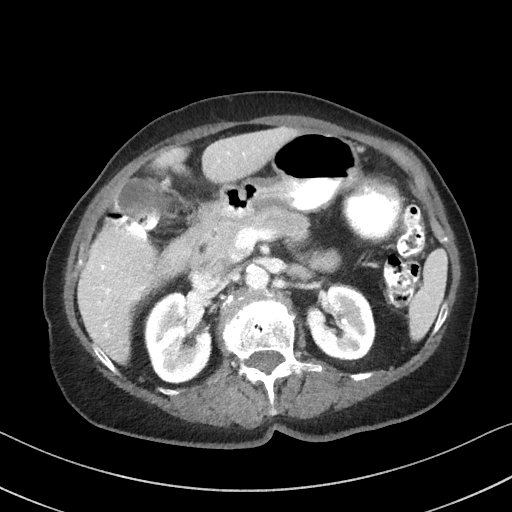
One axial slice (61 of 92, counting up from the lowest) of a contrast-enhanced abdominal CT acquired with 100 kVp, kernel I41f; each pixel is 0.684 mm and the slice is 3.00 mm thick.
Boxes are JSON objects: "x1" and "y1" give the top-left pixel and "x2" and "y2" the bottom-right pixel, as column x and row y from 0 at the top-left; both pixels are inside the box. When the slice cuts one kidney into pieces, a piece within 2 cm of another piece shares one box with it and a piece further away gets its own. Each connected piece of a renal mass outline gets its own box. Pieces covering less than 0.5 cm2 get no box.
Two boxes on this slice (two kidney boxes), listed by box centre from the image's left to its right. (1) Right kidney at {"x1": 143, "y1": 293, "x2": 211, "y2": 384} (outlined area 4,688 px, about 21.9 cm2). (2) Box {"x1": 306, "y1": 284, "x2": 375, "y2": 363}: left kidney (outlined area 4,109 px, about 19.2 cm2). No renal mass is outlined on this slice.